One axial slice (67 of 91, counting up from the lowest) of a contrast-enhanced abdominal CT acquired with 120 kVp, kernel FC18; each pixel is 0.766 mm and the slice is 5.00 mm thick.
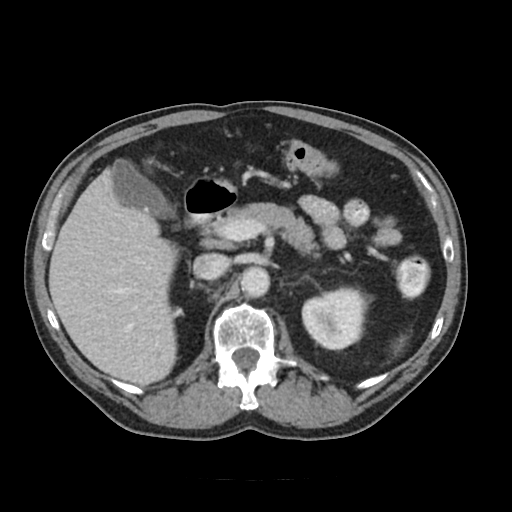
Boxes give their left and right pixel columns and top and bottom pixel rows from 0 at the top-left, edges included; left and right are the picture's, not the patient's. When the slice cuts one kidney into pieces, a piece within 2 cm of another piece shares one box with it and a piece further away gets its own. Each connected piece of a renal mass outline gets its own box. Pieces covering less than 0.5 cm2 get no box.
Box with left 301, top 287, right 368, bottom 352: left kidney (outlined area 3,323 px, about 19.5 cm2). No renal mass is outlined on this slice.